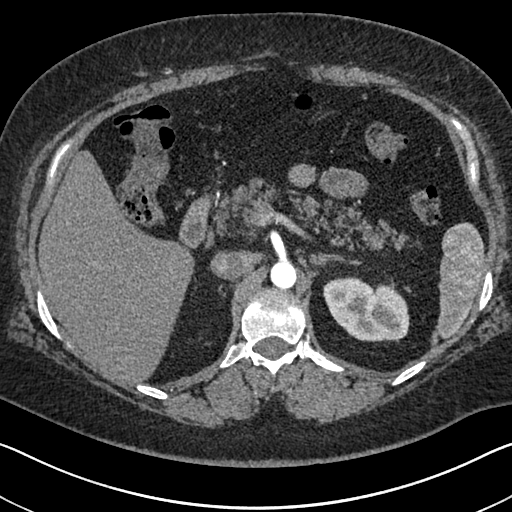
Abdominal CT with intravenous contrast, arterial phase, axial plane, 140 kVp, kernel I30f. Slice 474/591 from the bottom of the scan; thickness 1.00 mm; pixel size 0.703 mm.
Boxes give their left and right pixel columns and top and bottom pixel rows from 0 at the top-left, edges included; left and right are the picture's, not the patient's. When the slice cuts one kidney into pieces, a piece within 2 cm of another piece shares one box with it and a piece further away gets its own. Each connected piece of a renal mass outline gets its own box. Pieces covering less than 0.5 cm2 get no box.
Box with left 323, top 276, right 409, bottom 342: left kidney (outlined area 4,293 px, about 21.2 cm2). No renal mass is outlined on this slice.